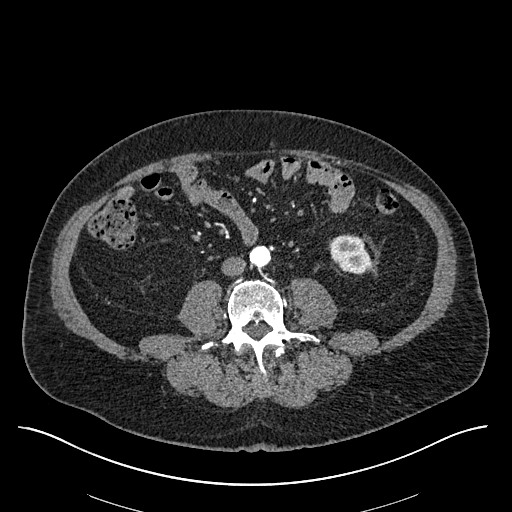
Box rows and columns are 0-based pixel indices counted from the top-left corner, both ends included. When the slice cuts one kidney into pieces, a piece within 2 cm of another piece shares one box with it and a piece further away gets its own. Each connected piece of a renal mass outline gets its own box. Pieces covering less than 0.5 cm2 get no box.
Arterial-phase contrast-enhanced abdominal CT, axial slice 214 of 670 (counted from the lowest slice); 1.00 mm thick, 0.861 mm per pixel. Box rows 235–274, columns 330–373: left kidney (outlined area 1,294 px, about 9.6 cm2). No renal mass outline on this slice.
Acquired at 120 kVp and reconstructed with the I30f kernel.